Arterial-phase contrast-enhanced abdominal CT, axial slice 345 of 670 (counted from the lowest slice); tube voltage 120 kVp, convolution kernel I30f; slices 1.00 mm thick, 0.861 mm per pixel.
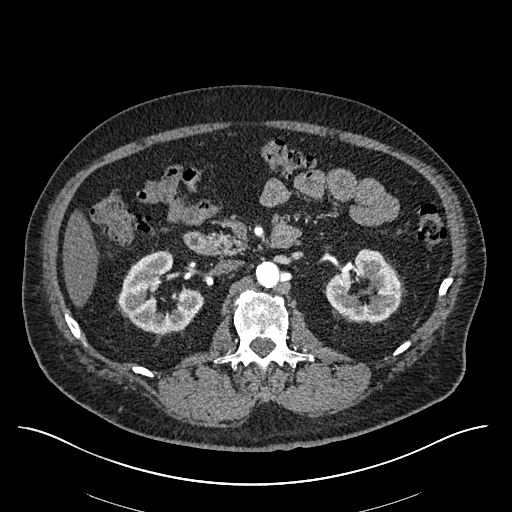
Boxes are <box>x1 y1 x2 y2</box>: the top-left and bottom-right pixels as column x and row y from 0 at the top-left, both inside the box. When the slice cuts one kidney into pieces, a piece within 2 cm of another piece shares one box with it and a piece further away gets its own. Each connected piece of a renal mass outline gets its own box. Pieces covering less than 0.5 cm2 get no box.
Boxed on this slice (two kidney boxes), listed by box centre from the image's left to its right: (1) Right kidney at <box>118 250 203 332</box> (outlined area 4,299 px, about 31.9 cm2). (2) Left kidney: <box>325 248 402 322</box> (outlined area 3,851 px, about 28.6 cm2). This slice carries no renal mass outline.